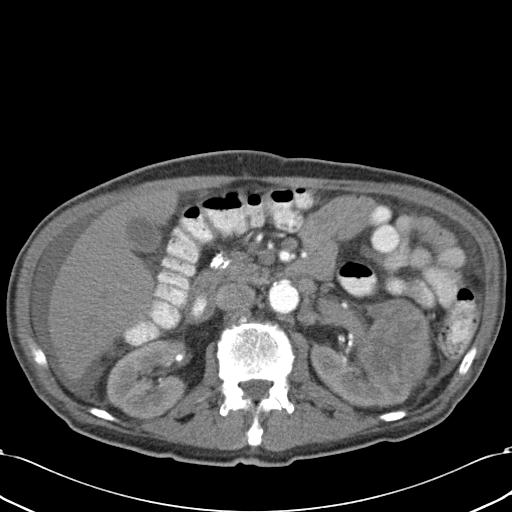
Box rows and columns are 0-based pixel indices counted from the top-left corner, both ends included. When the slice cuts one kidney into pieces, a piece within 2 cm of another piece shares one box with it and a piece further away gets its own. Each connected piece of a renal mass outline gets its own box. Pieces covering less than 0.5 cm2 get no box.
This is axial slice 15 of 43 (slice 1 is the lowest) of an abdominal CT with contrast; each pixel is 0.701 mm and the slice is 5.00 mm thick. Boxed on this slice (two kidney boxes and one renal mass box), listed by box centre from the image's left to its right: (1) Right kidney at rows 339–419, columns 106–187 (outlined area 5,012 px, about 24.6 cm2). (2) Left kidney at rows 306–408, columns 310–424 (outlined area 4,720 px, about 23.2 cm2). (3) Left renal mass at rows 296–383, columns 365–433 (outlined area 4,982 px, about 24.5 cm2).
Scan settings: 120 kVp, B31f reconstruction kernel.